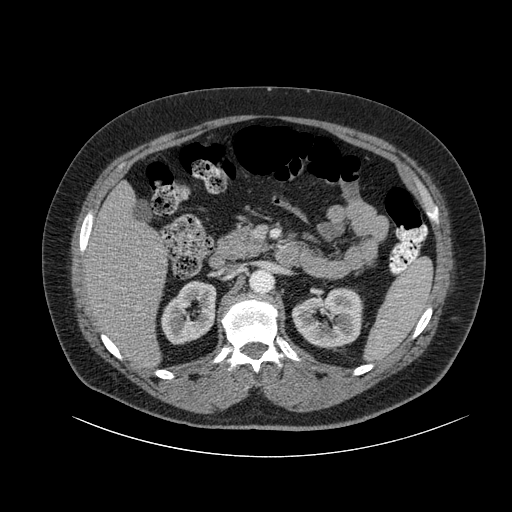
One axial slice (57 of 105, counting up from the lowest) of a contrast-enhanced abdominal CT acquired with 120 kVp, kernel B; each pixel is 0.977 mm and the slice is 3.00 mm thick.
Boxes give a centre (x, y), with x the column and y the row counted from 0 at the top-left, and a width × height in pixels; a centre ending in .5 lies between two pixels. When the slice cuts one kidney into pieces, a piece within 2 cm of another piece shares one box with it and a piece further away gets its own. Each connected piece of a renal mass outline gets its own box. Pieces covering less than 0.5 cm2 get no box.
Boxed on this slice (two kidney boxes), listed by box centre from the image's left to its right: (1) Right kidney, box centre (188, 312), 57 × 65 pixels (outlined area 2,600 px, about 24.8 cm2). (2) Box centre (327, 318), 73 × 63 pixels: left kidney (outlined area 3,269 px, about 31.2 cm2). This slice carries no renal mass outline.